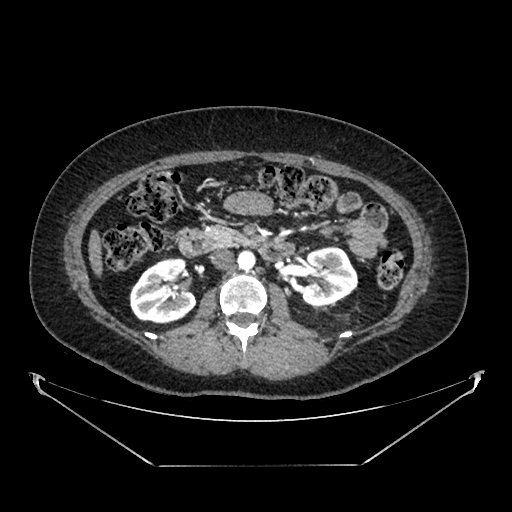
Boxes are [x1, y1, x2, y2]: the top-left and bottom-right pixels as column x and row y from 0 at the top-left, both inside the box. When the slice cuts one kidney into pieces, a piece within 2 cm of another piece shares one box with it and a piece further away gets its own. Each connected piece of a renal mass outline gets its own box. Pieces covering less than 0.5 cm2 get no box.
Arterial-phase contrast-enhanced abdominal CT, axial slice 223 of 383 (counted from the lowest slice); 1.25 mm thick, 0.898 mm per pixel. Boxed on this slice (two kidney boxes), listed by box centre from the image's left to its right: (1) Box [129, 257, 196, 323]: right kidney (outlined area 3,373 px, about 27.2 cm2). (2) Box [301, 246, 358, 305]: left kidney (outlined area 2,647 px, about 21.4 cm2). No renal mass outline on this slice.
Tube voltage 100 kVp; convolution kernel SOFT.